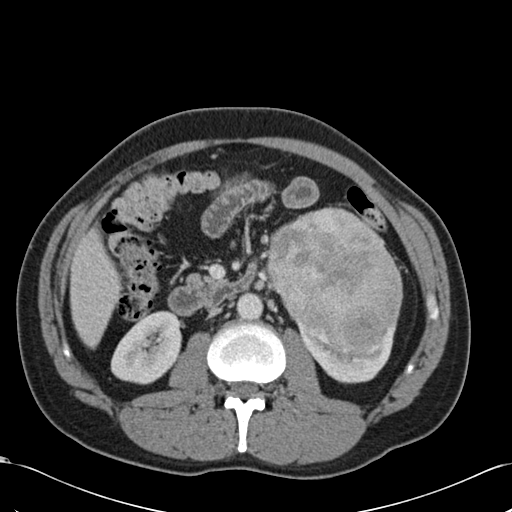
One axial slice (61 of 99, counting up from the lowest) of an arterial-phase abdominal CT acquired with 120 kVp, kernel B30f; each pixel is 0.693 mm and the slice is 5.00 mm thick.
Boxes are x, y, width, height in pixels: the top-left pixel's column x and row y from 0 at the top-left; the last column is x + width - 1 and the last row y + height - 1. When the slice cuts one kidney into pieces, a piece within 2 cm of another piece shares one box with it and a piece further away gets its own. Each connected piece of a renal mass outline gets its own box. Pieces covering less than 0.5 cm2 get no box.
Boxed on this slice (two kidney boxes and one renal mass box), listed by box centre from the image's left to its right: (1) Right kidney at x 110, y 310, width 72, height 75 (outlined area 3,853 px, about 18.5 cm2). (2) Box x 267, y 208, width 137, height 144: left renal mass (outlined area 14,371 px, about 69.1 cm2). (3) Box x 295, y 321, width 102, height 63: left kidney (outlined area 2,781 px, about 13.4 cm2).